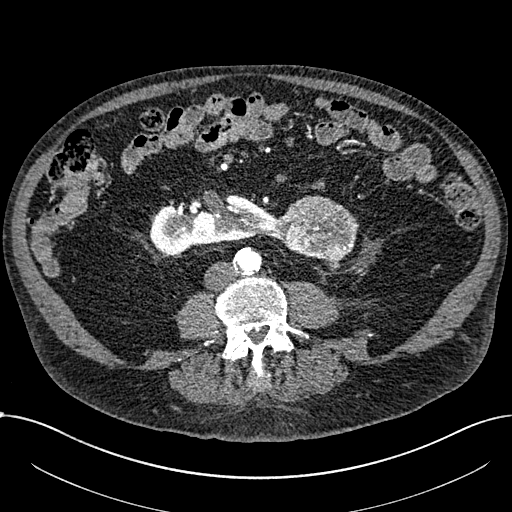
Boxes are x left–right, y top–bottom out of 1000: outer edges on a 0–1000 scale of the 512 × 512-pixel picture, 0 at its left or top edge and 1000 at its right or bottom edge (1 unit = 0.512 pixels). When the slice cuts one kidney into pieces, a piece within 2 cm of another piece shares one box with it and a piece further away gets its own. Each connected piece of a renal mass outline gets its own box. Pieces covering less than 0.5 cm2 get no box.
Slice 274/1059 of a contrast-enhanced abdominal CT in the arterial phase, counting up from the lowest; pixel size 0.811 mm, slice thickness 1.00 mm. Boxed on this slice (one kidney box and one renal mass box), listed by box centre from the image's left to its right: (1) Box x 293–545, y 381–498 out of 1000: right part of the midline-crossing kidney (outlined area 5,045 px, about 33.1 cm2). (2) Box x 533–703, y 381–516 out of 1000: renal mass (outlined area 4,130 px, about 27.1 cm2).
Scan settings: 100 kVp, I30f reconstruction kernel.